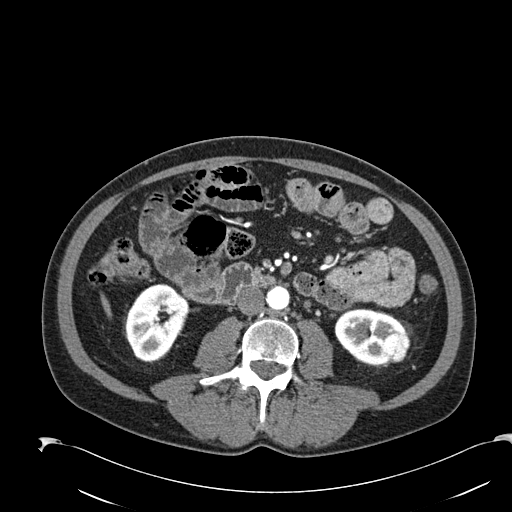
Abdominal CT with intravenous contrast, arterial phase, axial plane, 120 kVp, kernel B30f. Slice 82/274 from the bottom of the scan; thickness 2.00 mm; pixel size 0.809 mm.
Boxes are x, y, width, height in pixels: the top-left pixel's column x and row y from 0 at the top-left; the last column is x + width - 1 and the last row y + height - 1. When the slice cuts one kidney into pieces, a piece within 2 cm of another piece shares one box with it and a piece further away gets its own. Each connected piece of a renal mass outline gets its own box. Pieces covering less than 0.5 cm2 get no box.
Two kidney boxes and one renal mass box on this slice; by box centre, from the image's left to its right: (1) Right kidney at x 124, y 283, width 68, height 80 (outlined area 3,667 px, about 24.0 cm2). (2) Left kidney, box x 334, y 308, width 72, height 57 (outlined area 2,644 px, about 17.3 cm2). (3) Box x 382, y 332, width 29, height 31: left renal mass (outlined area 660 px, about 4.3 cm2).